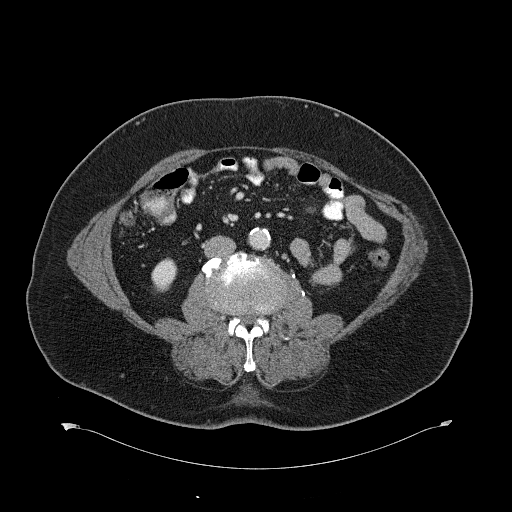
Contrast-enhanced abdominal CT, axial slice 308 of 734 (counted from the lowest slice); tube voltage 120 kVp, convolution kernel B31f; slices 2.00 mm thick, 0.971 mm per pixel.
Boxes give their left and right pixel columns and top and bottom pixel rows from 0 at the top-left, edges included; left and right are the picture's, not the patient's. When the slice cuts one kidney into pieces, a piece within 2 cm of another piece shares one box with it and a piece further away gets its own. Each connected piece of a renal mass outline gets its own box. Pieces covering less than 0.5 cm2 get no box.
Right kidney, the box with left 151, top 257, right 177, bottom 292 (outlined area 669 px, about 6.3 cm2). No renal mass outline on this slice.